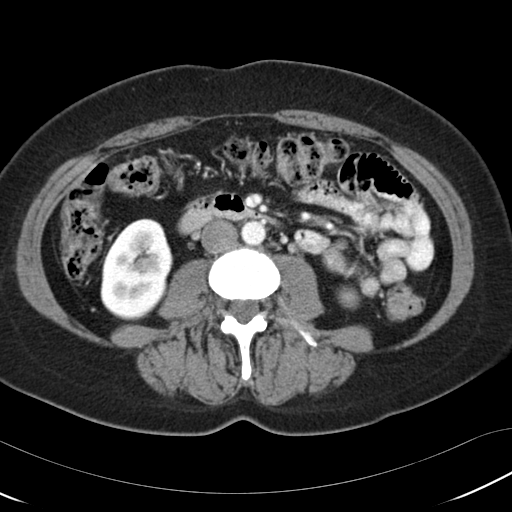
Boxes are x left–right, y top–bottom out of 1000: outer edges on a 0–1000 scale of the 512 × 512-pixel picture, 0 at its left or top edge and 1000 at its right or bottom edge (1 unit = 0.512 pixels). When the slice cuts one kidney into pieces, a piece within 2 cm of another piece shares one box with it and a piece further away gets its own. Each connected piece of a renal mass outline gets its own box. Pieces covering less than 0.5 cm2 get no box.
Slice 56/97 of a contrast-enhanced abdominal CT, counting up from the lowest; pixel size 0.664 mm, slice thickness 5.00 mm. Two boxes on this slice (two kidney boxes), listed by box centre from the image's left to its right. (1) Box x 195–338, y 426–623 out of 1000: right kidney (outlined area 5,493 px, about 24.2 cm2). (2) Box x 658–705, y 559–604 out of 1000: left kidney (outlined area 406 px, about 1.8 cm2). This slice carries no renal mass outline.
Tube voltage 120 kVp; convolution kernel B30f.